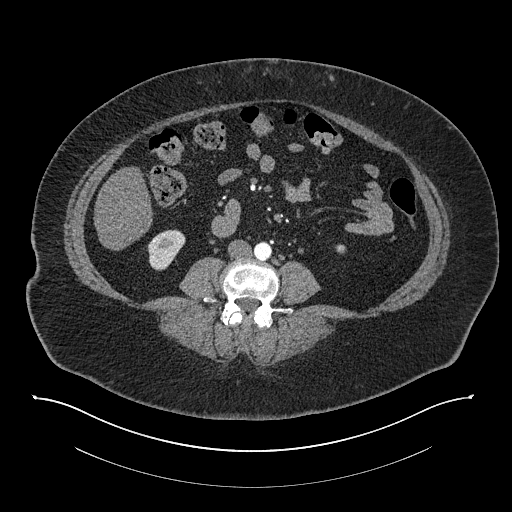
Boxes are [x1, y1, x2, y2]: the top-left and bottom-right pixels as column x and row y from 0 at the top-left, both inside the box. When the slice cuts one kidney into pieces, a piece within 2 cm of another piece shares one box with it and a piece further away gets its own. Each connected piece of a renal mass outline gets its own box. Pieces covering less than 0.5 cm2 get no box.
This is axial slice 341 of 673 (slice 1 is the lowest) of an arterial-phase abdominal CT with contrast; each pixel is 0.957 mm and the slice is 1.00 mm thick. Two boxes on this slice (two kidney boxes), listed by box centre from the image's left to its right. (1) Right kidney at [147, 229, 185, 270] (outlined area 1,107 px, about 10.1 cm2). (2) Left kidney, box [335, 244, 345, 253] (outlined area 85 px, about 0.8 cm2). No renal mass is outlined on this slice.
Acquired at 140 kVp and reconstructed with the I30f kernel.